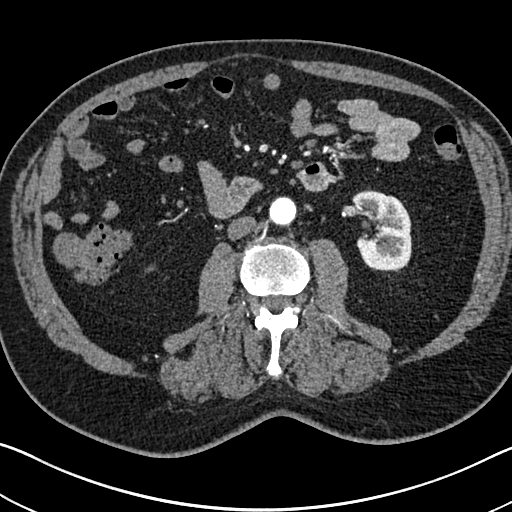
Abdominal CT with intravenous contrast, arterial phase, axial plane, 120 kVp, kernel I30f. Slice 344/705 from the bottom of the scan; thickness 1.00 mm; pixel size 0.703 mm.
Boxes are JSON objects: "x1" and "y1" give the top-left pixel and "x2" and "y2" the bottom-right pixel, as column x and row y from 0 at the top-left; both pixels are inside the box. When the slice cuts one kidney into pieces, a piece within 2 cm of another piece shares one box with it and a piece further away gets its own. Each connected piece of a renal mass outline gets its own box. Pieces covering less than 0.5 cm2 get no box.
Left kidney, box {"x1": 351, "y1": 189, "x2": 411, "y2": 271} (outlined area 3,765 px, about 18.6 cm2). No renal mass is outlined on this slice.